Axial slice 77 of 104 of a contrast-enhanced abdominal CT (slice 1 is the lowest), 120 kVp, kernel B41f; 5.00 mm slice thickness and 0.977 mm pixels.
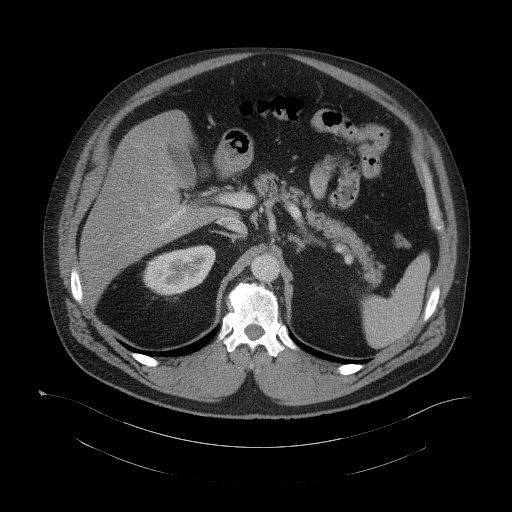
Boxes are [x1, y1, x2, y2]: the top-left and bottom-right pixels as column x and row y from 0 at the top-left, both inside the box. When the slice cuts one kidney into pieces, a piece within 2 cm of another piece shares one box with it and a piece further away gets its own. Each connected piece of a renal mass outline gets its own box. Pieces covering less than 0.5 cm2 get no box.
Box [143, 245, 215, 295]: right kidney (outlined area 2,681 px, about 25.6 cm2). This slice carries no renal mass outline.